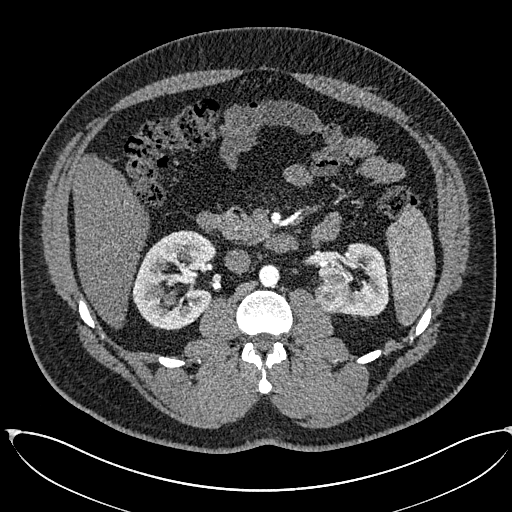
One axial slice (353 of 673, counting up from the lowest) of an arterial-phase abdominal CT acquired with 120 kVp, kernel I30f; each pixel is 0.855 mm and the slice is 1.00 mm thick.
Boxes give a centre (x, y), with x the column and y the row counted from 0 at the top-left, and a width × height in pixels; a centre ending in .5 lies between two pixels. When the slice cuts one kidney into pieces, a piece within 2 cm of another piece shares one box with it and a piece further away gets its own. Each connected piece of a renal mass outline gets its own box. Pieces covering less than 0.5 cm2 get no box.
Two kidney boxes and one renal mass box on this slice; by box centre, from the image's left to its right: (1) Box centre (174, 280), 85 × 101 pixels: right kidney (outlined area 5,913 px, about 43.3 cm2). (2) Left renal mass in a box with centre (332.5, 294), 38 × 39 pixels (outlined area 1,134 px, about 8.3 cm2). (3) Box centre (353.5, 279), 72 × 75 pixels: left kidney (outlined area 3,071 px, about 22.5 cm2).